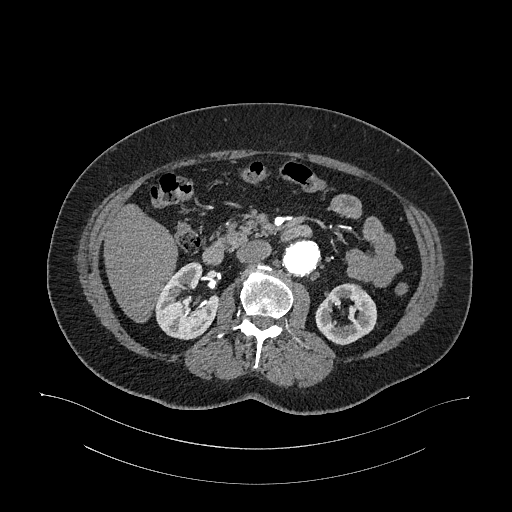
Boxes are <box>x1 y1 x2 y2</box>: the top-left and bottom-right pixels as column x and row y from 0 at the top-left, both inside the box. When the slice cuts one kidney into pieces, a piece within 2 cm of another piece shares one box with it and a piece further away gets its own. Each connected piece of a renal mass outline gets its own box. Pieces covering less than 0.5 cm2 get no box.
Arterial-phase contrast-enhanced abdominal CT, axial slice 642 of 987 (counted from the lowest slice); 1.00 mm thick, 0.977 mm per pixel. Boxed on this slice (two kidney boxes), listed by box centre from the image's left to its right: (1) Right kidney at <box>155 261 217 339</box> (outlined area 3,348 px, about 31.9 cm2). (2) Left kidney: <box>315 283 377 344</box> (outlined area 2,589 px, about 24.7 cm2). No renal mass is outlined on this slice.
Scan settings: 120 kVp, I26f reconstruction kernel.